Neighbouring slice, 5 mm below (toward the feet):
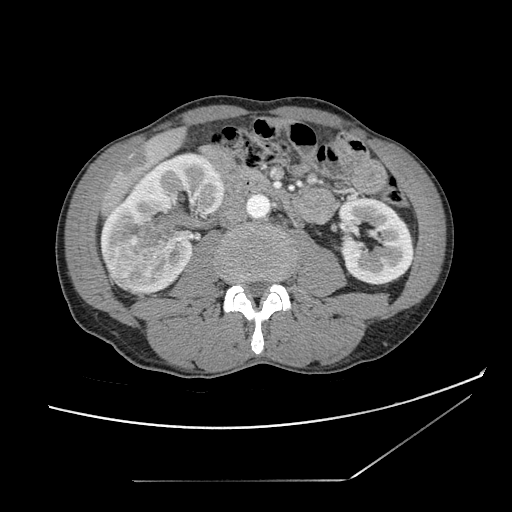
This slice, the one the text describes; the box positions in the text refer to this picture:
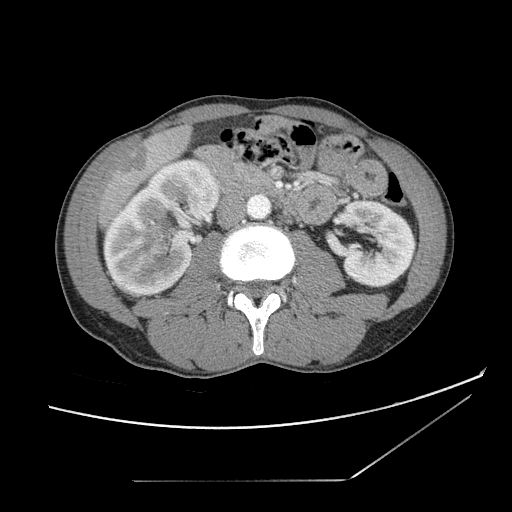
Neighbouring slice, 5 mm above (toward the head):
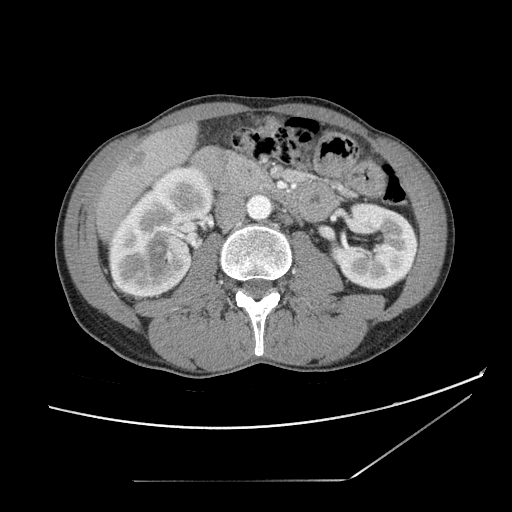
Contrast-enhanced abdominal CT, axial slice 53 of 121 (counted from the lowest slice); tube voltage 120 kVp, convolution kernel STANDARD; slices 2.50 mm thick, 0.742 mm per pixel.
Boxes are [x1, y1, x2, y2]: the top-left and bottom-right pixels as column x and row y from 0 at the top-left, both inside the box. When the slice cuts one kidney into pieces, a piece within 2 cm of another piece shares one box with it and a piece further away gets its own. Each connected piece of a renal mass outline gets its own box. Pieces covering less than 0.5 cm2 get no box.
Three boxes on this slice (two kidney boxes and one renal mass box), listed by box centre from the image's left to its right. (1) Box [141, 227, 166, 255]: right renal mass (outlined area 548 px, about 3.0 cm2). (2) Right kidney at [103, 156, 221, 297] (outlined area 10,533 px, about 58.0 cm2). (3) Left kidney, box [333, 199, 415, 288] (outlined area 5,427 px, about 29.9 cm2). This slice is near the end of the right renal mass toward the head, so the slices 5 mm below and 5 mm above it are shown as well; the boxes refer to this slice only.